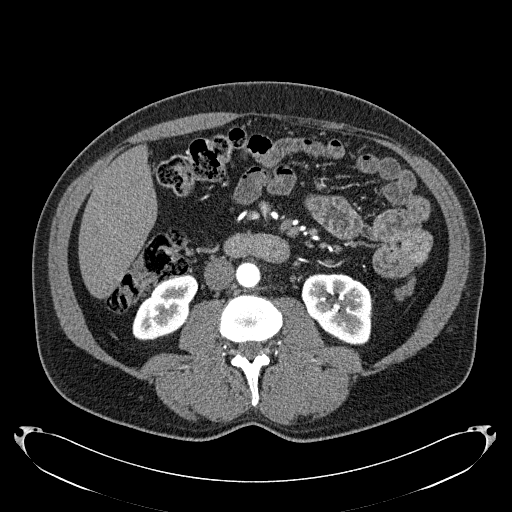
Abdominal CT with intravenous contrast, arterial phase, axial plane, 120 kVp, kernel B31f. Slice 92/279 from the bottom of the scan; thickness 2.00 mm; pixel size 0.824 mm.
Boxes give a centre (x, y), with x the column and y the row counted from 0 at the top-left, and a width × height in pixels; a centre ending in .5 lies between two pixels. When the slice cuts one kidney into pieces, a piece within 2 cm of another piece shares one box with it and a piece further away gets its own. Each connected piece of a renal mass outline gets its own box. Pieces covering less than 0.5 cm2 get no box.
Two kidney boxes on this slice; by box centre, from the image's left to its right: (1) Box centre (165, 307.5), 67 × 66 pixels: right kidney (outlined area 2,854 px, about 19.4 cm2). (2) Box centre (336, 309), 71 × 73 pixels: left kidney (outlined area 3,918 px, about 26.6 cm2). No renal mass outline on this slice.